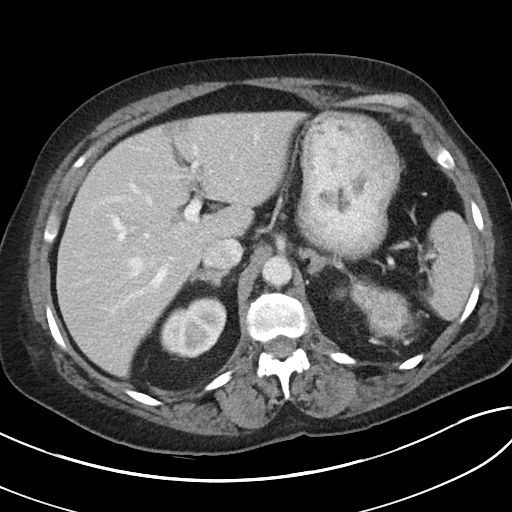
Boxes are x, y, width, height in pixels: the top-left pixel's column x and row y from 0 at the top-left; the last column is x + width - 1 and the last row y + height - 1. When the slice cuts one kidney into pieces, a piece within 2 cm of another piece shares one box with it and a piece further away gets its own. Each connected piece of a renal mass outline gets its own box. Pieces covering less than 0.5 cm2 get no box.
This is axial slice 67 of 80 (slice 1 is the lowest) of an abdominal CT with contrast; each pixel is 0.703 mm and the slice is 5.00 mm thick. Three boxes on this slice (two kidney boxes and one renal mass box), listed by box centre from the image's left to its right. (1) Right kidney at x 159, y 296, width 68, height 64 (outlined area 3,060 px, about 15.1 cm2). (2) Left kidney at x 349, y 281, width 36, height 39 (outlined area 687 px, about 3.4 cm2). (3) Left renal mass, box x 367, y 290, width 46, height 49 (outlined area 1,670 px, about 8.3 cm2).
Scan settings: 100 kVp, I40f reconstruction kernel.